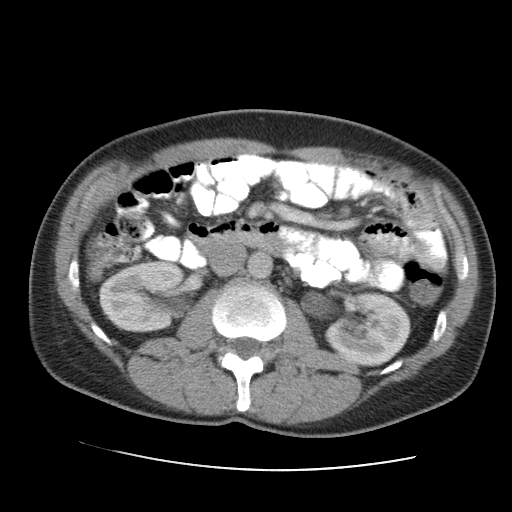
Arterial-phase contrast-enhanced abdominal CT, axial slice 67 of 105 (counted from the lowest slice); tube voltage 120 kVp, convolution kernel STANDARD; slices 5.00 mm thick, 0.707 mm per pixel.
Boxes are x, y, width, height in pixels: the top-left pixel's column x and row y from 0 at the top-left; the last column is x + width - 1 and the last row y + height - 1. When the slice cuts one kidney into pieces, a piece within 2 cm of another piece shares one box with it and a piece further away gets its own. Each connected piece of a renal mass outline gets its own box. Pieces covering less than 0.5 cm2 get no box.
Boxed on this slice (two kidney boxes), listed by box centre from the image's left to its right: (1) Right kidney, box x 98, y 261, width 87, height 72 (outlined area 4,949 px, about 24.7 cm2). (2) Left kidney at x 324, y 291, width 88, height 75 (outlined area 4,852 px, about 24.3 cm2). No renal mass outline on this slice.